Axial slice 414 of 553 of a contrast-enhanced abdominal CT in the arterial phase (slice 1 is the lowest), 120 kVp, kernel B20f; 1.00 mm slice thickness and 0.773 mm pixels.
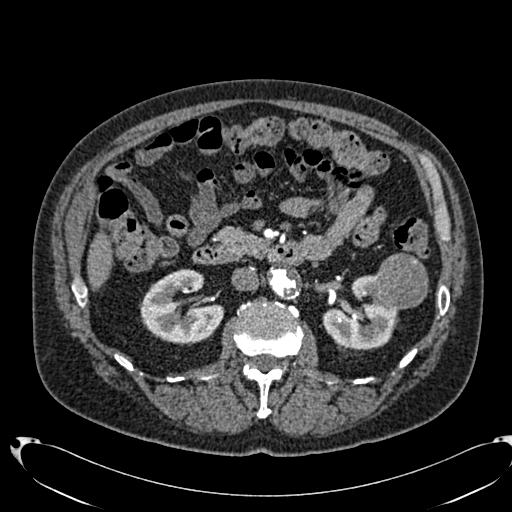
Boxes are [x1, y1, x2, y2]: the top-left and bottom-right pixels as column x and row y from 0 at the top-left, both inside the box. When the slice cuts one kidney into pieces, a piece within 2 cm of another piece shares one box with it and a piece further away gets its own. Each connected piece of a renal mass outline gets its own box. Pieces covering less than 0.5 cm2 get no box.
Two kidney boxes and one renal mass box on this slice; by box centre, from the image's left to its right: (1) Right kidney at [139, 269, 224, 345] (outlined area 4,384 px, about 26.2 cm2). (2) Box [322, 275, 398, 349]: left kidney (outlined area 3,419 px, about 20.5 cm2). (3) Left renal mass, box [374, 253, 428, 309] (outlined area 2,433 px, about 14.6 cm2).